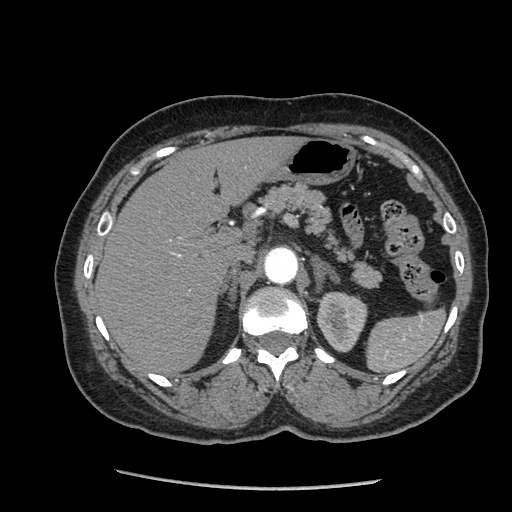
One axial slice (158 of 233, counting up from the lowest) of an arterial-phase abdominal CT acquired with 120 kVp, kernel STANDARD; each pixel is 0.703 mm and the slice is 1.25 mm thick.
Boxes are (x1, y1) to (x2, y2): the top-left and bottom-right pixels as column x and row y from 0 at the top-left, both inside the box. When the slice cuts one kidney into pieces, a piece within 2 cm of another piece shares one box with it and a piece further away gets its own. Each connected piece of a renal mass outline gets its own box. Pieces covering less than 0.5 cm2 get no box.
Left kidney from (316, 291) to (367, 352) (outlined area 2,347 px, about 11.6 cm2). No renal mass outline on this slice.